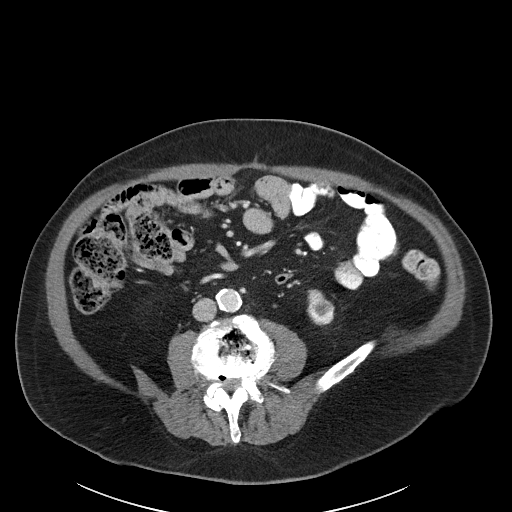
Arterial-phase contrast-enhanced abdominal CT, axial slice 49 of 89 (counted from the lowest slice); tube voltage 100 kVp, convolution kernel I40f; slices 5.00 mm thick, 0.885 mm per pixel.
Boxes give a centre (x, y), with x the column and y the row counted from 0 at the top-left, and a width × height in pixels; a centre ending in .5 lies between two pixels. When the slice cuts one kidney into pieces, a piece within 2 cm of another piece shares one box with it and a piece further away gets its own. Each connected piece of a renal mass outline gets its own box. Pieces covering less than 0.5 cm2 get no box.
Left kidney in a box with centre (320.5, 307), 28 × 37 pixels (outlined area 782 px, about 6.1 cm2). This slice carries no renal mass outline.